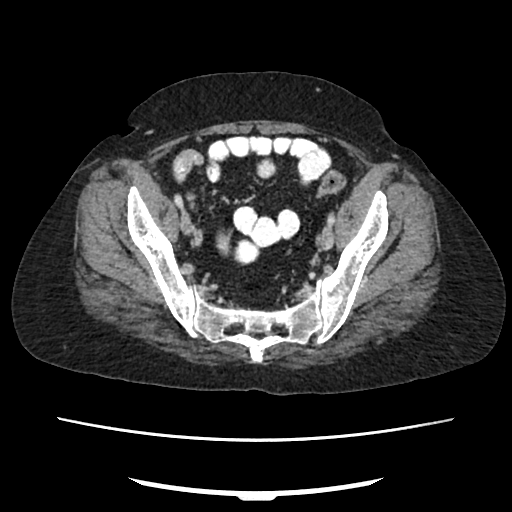
Axial slice 58 of 207 of a contrast-enhanced abdominal CT in the arterial phase (slice 1 is the lowest), 120 kVp, kernel FC18; 2.00 mm slice thickness and 0.741 mm pixels.
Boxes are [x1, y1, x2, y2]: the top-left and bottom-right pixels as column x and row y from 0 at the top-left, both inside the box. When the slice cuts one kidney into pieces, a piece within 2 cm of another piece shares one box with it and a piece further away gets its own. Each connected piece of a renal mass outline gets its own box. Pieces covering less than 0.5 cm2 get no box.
Right kidney at [216, 229, 232, 256] (outlined area 336 px, about 1.8 cm2). No renal mass is outlined on this slice.